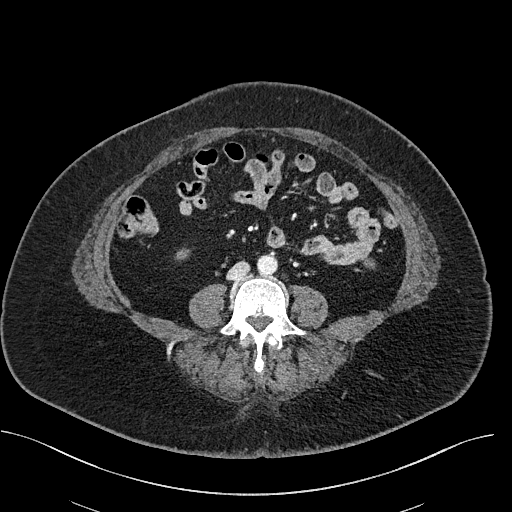
Axial slice 236 of 470 of a contrast-enhanced abdominal CT (slice 1 is the lowest), 100 kVp, kernel I40f; 2.00 mm slice thickness and 0.824 mm pixels.
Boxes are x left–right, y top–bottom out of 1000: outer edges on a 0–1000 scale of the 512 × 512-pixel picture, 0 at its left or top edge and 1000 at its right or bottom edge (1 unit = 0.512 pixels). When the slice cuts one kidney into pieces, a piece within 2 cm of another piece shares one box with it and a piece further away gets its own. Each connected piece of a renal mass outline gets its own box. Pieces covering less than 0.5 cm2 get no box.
Box x 342–373, y 484–510 out of 1000: right kidney (outlined area 141 px, about 1.0 cm2). No renal mass is outlined on this slice.